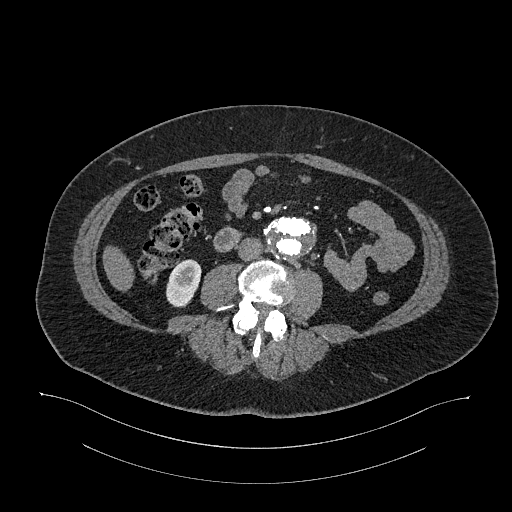
Arterial-phase contrast-enhanced abdominal CT, axial slice 545 of 987 (counted from the lowest slice); tube voltage 120 kVp, convolution kernel I26f; slices 1.00 mm thick, 0.977 mm per pixel.
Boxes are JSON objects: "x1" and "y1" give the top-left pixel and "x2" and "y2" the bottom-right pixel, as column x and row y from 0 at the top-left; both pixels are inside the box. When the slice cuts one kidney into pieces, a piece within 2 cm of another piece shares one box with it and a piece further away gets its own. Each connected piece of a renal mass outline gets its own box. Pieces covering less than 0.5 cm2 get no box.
Right kidney at {"x1": 166, "y1": 259, "x2": 200, "y2": 307} (outlined area 1,281 px, about 12.2 cm2). No renal mass outline on this slice.